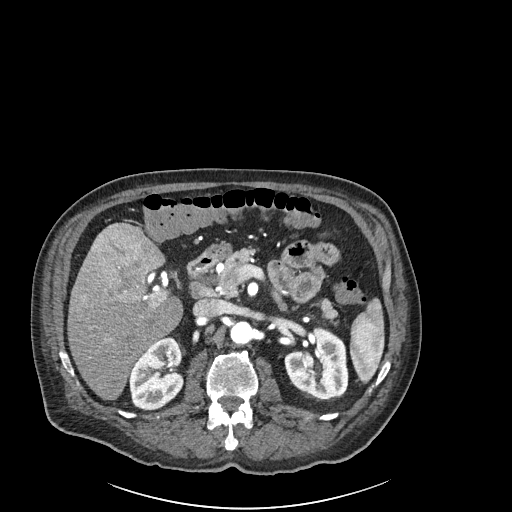
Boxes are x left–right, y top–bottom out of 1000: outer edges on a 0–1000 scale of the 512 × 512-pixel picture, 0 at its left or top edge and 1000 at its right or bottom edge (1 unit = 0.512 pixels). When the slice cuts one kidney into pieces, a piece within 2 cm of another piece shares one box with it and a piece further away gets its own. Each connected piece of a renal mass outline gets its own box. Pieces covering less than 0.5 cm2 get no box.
This is axial slice 131 of 261 (slice 1 is the lowest) of an arterial-phase abdominal CT with contrast; each pixel is 0.939 mm and the slice is 2.00 mm thick. Two kidney boxes on this slice; by box centre, from the image's left to its right: (1) Right kidney, box x 250–361, y 658–801 out of 1000 (outlined area 3,015 px, about 26.6 cm2). (2) Left kidney at x 555–682, y 641–781 out of 1000 (outlined area 3,365 px, about 29.7 cm2). No renal mass is outlined on this slice.
Tube voltage 120 kVp; convolution kernel I30f.